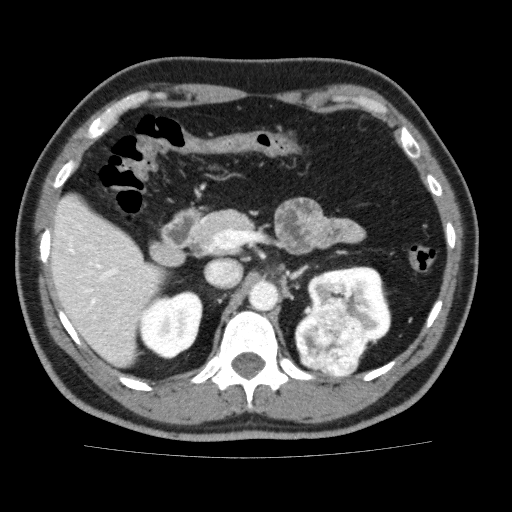
Axial slice 114 of 159 of a contrast-enhanced abdominal CT (slice 1 is the lowest), 120 kVp, kernel FC13; 3.00 mm slice thickness and 0.668 mm pixels.
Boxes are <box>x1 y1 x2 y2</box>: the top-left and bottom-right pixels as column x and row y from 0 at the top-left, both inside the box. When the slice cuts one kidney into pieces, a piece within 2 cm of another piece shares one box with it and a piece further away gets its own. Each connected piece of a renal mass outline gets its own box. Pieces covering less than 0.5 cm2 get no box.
Three boxes on this slice (two kidney boxes and one renal mass box), listed by box centre from the image's left to its right. (1) Right kidney: <box>138 290 202 359</box> (outlined area 3,358 px, about 15.0 cm2). (2) Left renal mass at <box>294 296 366 376</box> (outlined area 4,284 px, about 19.1 cm2). (3) Left kidney at <box>307 266 391 348</box> (outlined area 3,636 px, about 16.2 cm2).